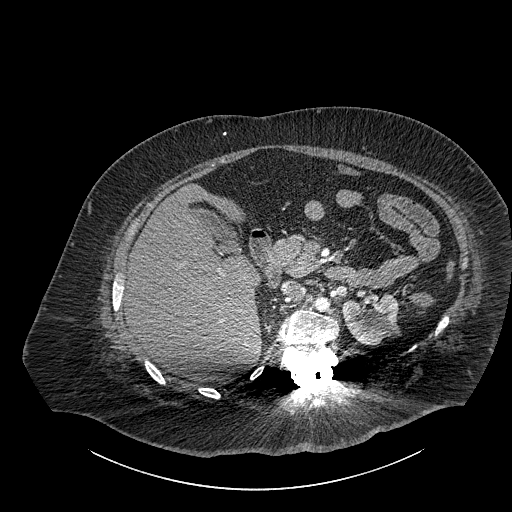
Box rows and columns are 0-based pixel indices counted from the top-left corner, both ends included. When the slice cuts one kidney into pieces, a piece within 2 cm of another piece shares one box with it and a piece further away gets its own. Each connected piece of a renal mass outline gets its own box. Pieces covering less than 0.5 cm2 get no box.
Slice 589/834 of a contrast-enhanced abdominal CT, counting up from the lowest; pixel size 0.977 mm, slice thickness 1.00 mm. Box rows 293–345, columns 342–399: left part of the midline-crossing kidney (outlined area 2,304 px, about 22.0 cm2). No renal mass is outlined on this slice.
Acquired at 140 kVp and reconstructed with the I30f kernel.